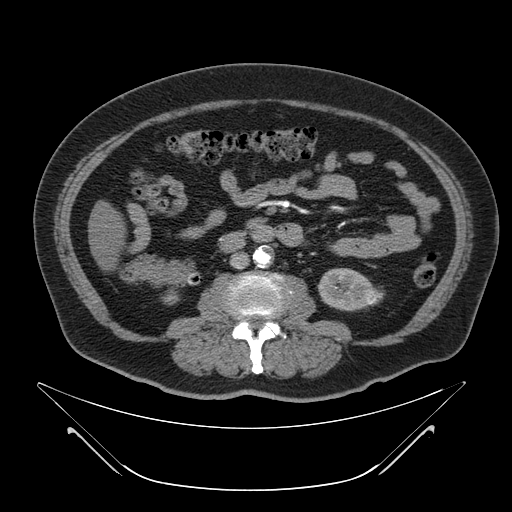
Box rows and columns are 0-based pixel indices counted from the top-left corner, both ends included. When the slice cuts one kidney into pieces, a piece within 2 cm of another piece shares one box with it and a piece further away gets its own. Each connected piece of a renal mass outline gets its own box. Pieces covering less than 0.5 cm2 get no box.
This is axial slice 18 of 64 (slice 1 is the lowest) of an abdominal CT with contrast; each pixel is 0.977 mm and the slice is 4.00 mm thick. Boxed on this slice (two kidney boxes and one renal mass box), listed by box centre from the image's left to its right: (1) Box rows 287–304, columns 161–179: right kidney (outlined area 214 px, about 2.0 cm2). (2) Box rows 268–311, columns 317–373: left kidney (outlined area 1,823 px, about 17.4 cm2). (3) Box rows 287–305, columns 365–384: left renal mass (outlined area 270 px, about 2.6 cm2).
Scan settings: 120 kVp, B reconstruction kernel.